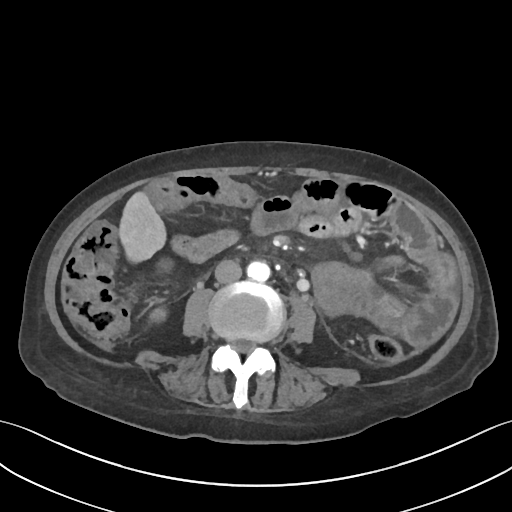
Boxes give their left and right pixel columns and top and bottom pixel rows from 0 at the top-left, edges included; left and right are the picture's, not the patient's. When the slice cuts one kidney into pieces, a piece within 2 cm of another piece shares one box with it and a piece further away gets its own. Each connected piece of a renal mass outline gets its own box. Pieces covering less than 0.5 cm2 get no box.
This is axial slice 17 of 109 (slice 1 is the lowest) of an abdominal CT with contrast; each pixel is 0.742 mm and the slice is 3.00 mm thick. Right kidney, the box with left 152, top 309, right 165, bottom 320 (outlined area 134 px, about 0.7 cm2). This slice carries no renal mass outline.
Tube voltage 120 kVp; convolution kernel I30f.